Arterial-phase contrast-enhanced abdominal CT, axial slice 27 of 49 (counted from the lowest slice); tube voltage 120 kVp, convolution kernel B31f; slices 5.00 mm thick, 0.691 mm per pixel.
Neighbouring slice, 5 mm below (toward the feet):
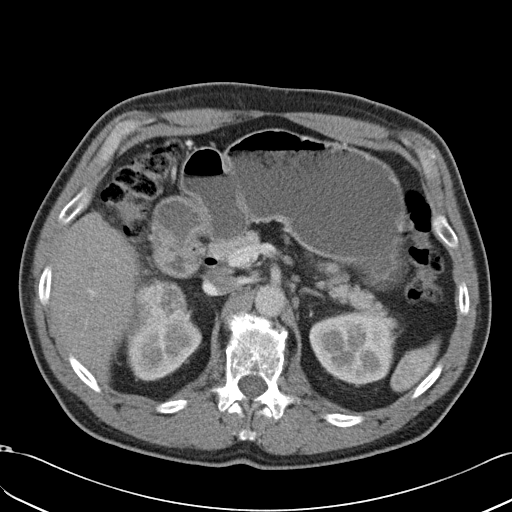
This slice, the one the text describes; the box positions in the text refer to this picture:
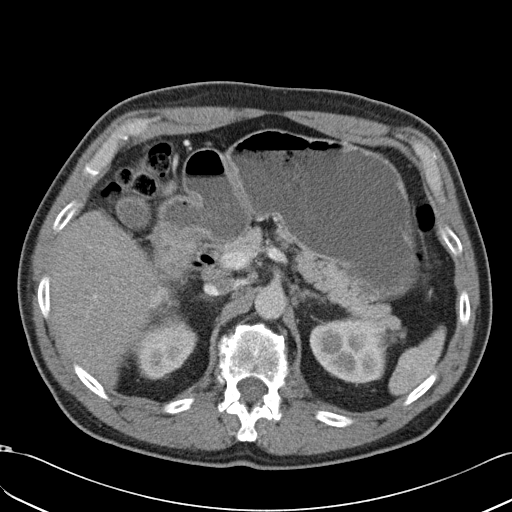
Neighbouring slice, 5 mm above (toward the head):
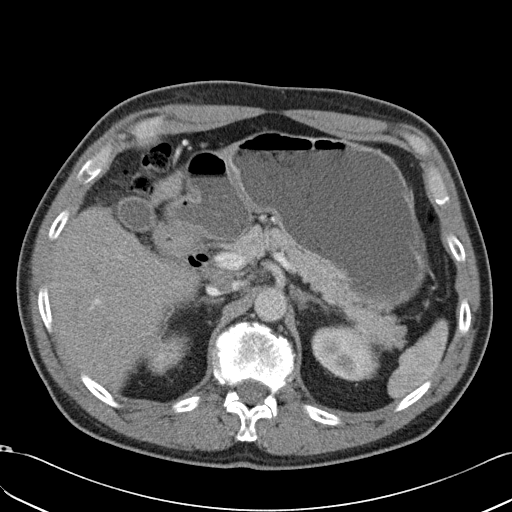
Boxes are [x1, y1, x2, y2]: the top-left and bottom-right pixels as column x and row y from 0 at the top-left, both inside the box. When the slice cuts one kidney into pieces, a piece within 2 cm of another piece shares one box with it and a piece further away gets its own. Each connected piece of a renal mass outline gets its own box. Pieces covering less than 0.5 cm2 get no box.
Boxed on this slice (two kidney boxes and one renal mass box), listed by box centre from the image's left to its right: (1) Box [143, 285, 179, 311]: right renal mass (outlined area 803 px, about 3.8 cm2). (2) Box [137, 319, 197, 379]: right kidney (outlined area 2,672 px, about 12.8 cm2). (3) Left kidney at [309, 316, 385, 383] (outlined area 4,138 px, about 19.8 cm2). This slice lies near the end of the right renal mass toward the head; the slices 5 mm below and 5 mm above it are shown too, and the boxes mark positions on this slice only.